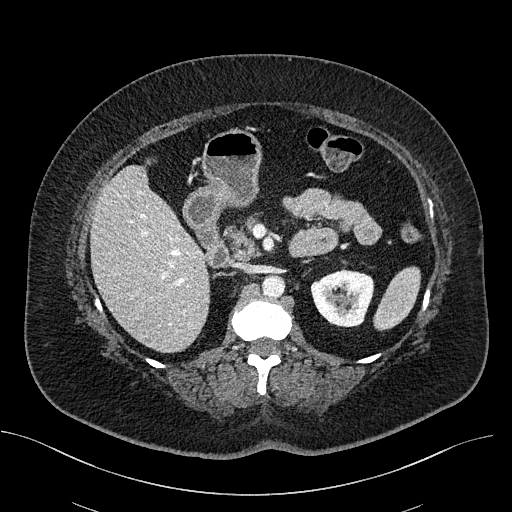
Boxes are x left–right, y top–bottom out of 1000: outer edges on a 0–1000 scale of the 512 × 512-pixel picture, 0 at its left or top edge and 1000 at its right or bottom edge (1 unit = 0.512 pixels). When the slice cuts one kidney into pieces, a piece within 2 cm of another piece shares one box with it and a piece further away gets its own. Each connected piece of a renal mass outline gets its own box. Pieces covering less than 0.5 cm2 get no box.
Slice 322/470 of a contrast-enhanced abdominal CT, counting up from the lowest; pixel size 0.824 mm, slice thickness 2.00 mm. Left kidney, box x 605–732, y 525–641 out of 1000 (outlined area 2,850 px, about 19.4 cm2). No renal mass is outlined on this slice.
Acquired at 100 kVp and reconstructed with the I40f kernel.